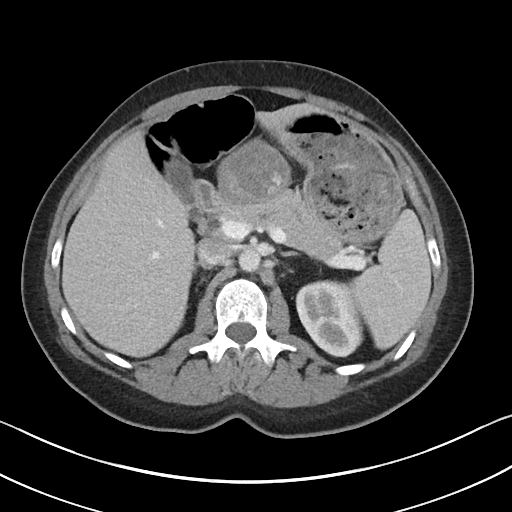
Arterial-phase contrast-enhanced abdominal CT, axial slice 69 of 90 (counted from the lowest slice); tube voltage 100 kVp, convolution kernel I40f; slices 5.00 mm thick, 0.703 mm per pixel.
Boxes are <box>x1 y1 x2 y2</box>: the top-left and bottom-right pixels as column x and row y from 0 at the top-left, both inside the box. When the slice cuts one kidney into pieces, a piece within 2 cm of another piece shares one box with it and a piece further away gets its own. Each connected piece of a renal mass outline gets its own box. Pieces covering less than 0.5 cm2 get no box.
Left kidney: <box>295 280 363 357</box> (outlined area 3,745 px, about 18.5 cm2). No renal mass outline on this slice.